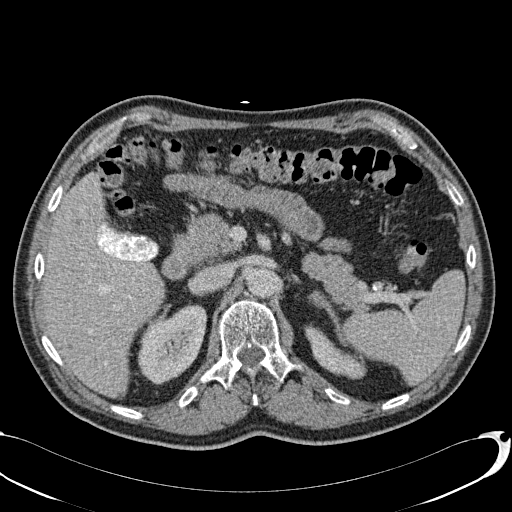
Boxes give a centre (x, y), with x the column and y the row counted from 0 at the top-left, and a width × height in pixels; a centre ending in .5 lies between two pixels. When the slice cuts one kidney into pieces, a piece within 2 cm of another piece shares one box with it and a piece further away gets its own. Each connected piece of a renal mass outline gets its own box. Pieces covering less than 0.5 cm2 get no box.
Slice 60/113 of a contrast-enhanced abdominal CT, counting up from the lowest; pixel size 0.742 mm, slice thickness 2.00 mm. Two kidney boxes on this slice; by box centre, from the image's left to its right: (1) Right kidney, box centre (172, 344), 71 × 81 pixels (outlined area 3,877 px, about 21.4 cm2). (2) Left kidney, box centre (335, 351.5), 63 × 56 pixels (outlined area 1,647 px, about 9.1 cm2). This slice carries no renal mass outline.
Acquired at 120 kVp and reconstructed with the B31f kernel.